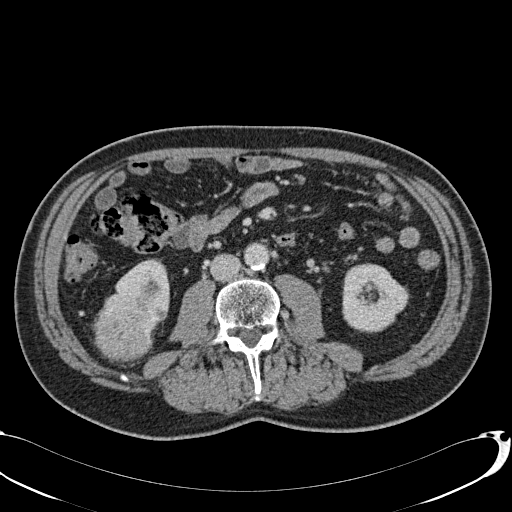
Abdominal CT with intravenous contrast, axial plane, 120 kVp, kernel B31f. Slice 21/113 from the bottom of the scan; thickness 2.00 mm; pixel size 0.742 mm.
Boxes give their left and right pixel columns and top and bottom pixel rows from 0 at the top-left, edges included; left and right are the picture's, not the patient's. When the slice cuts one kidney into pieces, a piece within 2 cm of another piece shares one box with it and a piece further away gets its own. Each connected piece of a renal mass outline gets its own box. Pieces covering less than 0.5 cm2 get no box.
Boxed on this slice (two kidney boxes and one renal mass box), listed by box centre from the image's left to its right: (1) Right renal mass, the box with left 92, top 303, right 153, bottom 362 (outlined area 2,756 px, about 15.2 cm2). (2) Box with left 93, top 258, right 169, bottom 335: right kidney (outlined area 2,738 px, about 15.1 cm2). (3) Box with left 342, top 263, right 409, bottom 333: left kidney (outlined area 3,580 px, about 19.7 cm2).